Arterial-phase contrast-enhanced abdominal CT, axial slice 69 of 274 (counted from the lowest slice); tube voltage 120 kVp, convolution kernel B30f; slices 2.00 mm thick, 0.809 mm per pixel.
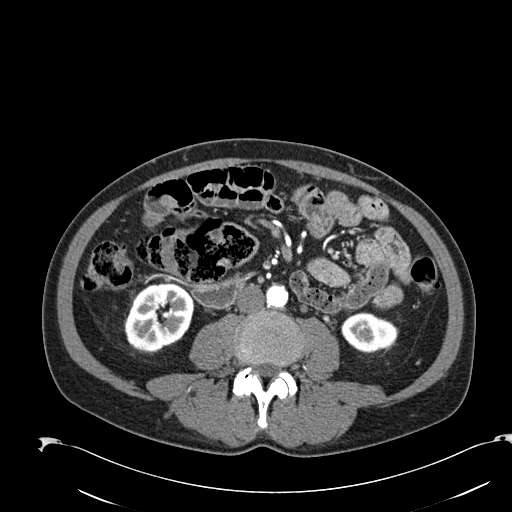
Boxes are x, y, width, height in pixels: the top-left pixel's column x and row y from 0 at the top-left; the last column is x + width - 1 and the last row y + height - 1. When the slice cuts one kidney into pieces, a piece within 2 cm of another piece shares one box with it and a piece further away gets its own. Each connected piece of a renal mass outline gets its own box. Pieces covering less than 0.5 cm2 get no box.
Two boxes on this slice (two kidney boxes), listed by box centre from the image's left to its right. (1) Box x 124, y 284, width 68, height 71: right kidney (outlined area 3,581 px, about 23.4 cm2). (2) Box x 341, y 312, width 57, height 41: left kidney (outlined area 1,754 px, about 11.5 cm2). No renal mass outline on this slice.